Abdominal CT with intravenous contrast, arterial phase, axial plane, 140 kVp, kernel I30f. Slice 497/673 from the bottom of the scan; thickness 1.00 mm; pixel size 0.957 mm.
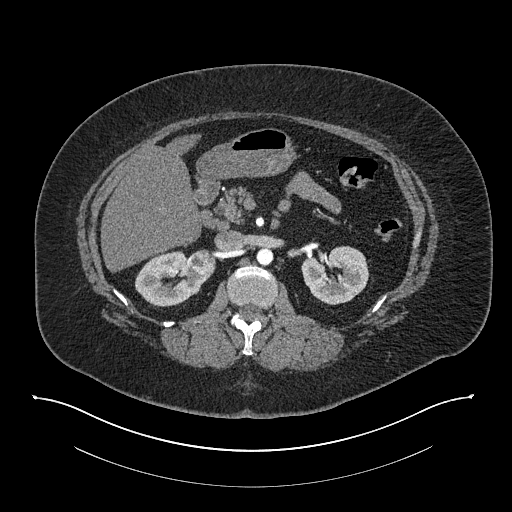
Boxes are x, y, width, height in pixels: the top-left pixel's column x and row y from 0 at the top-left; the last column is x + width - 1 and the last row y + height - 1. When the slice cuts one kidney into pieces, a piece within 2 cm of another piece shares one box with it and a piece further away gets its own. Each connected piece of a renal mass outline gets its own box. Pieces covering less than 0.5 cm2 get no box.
Three boxes on this slice (two kidney boxes and one renal mass box), listed by box centre from the image's left to its right. (1) Right kidney, box x 134, y 250, width 80, height 57 (outlined area 2,834 px, about 26.0 cm2). (2) Box x 188, y 248, width 28, height 25: right renal mass (outlined area 527 px, about 4.8 cm2). (3) Left kidney at x 301, y 246, width 69, height 60 (outlined area 2,977 px, about 27.3 cm2).